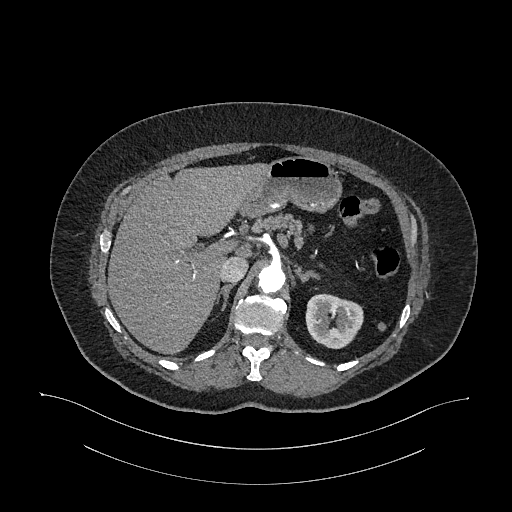
Abdominal CT with intravenous contrast, arterial phase, axial plane, 120 kVp, kernel I26f. Slice 761/987 from the bottom of the scan; thickness 1.00 mm; pixel size 0.977 mm.
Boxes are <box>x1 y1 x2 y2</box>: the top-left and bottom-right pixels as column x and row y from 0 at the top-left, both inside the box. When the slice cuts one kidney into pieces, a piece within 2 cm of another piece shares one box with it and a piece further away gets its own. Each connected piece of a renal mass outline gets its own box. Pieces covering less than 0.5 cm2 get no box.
Left kidney: <box>305 293 363 348</box> (outlined area 2,491 px, about 23.8 cm2). This slice carries no renal mass outline.